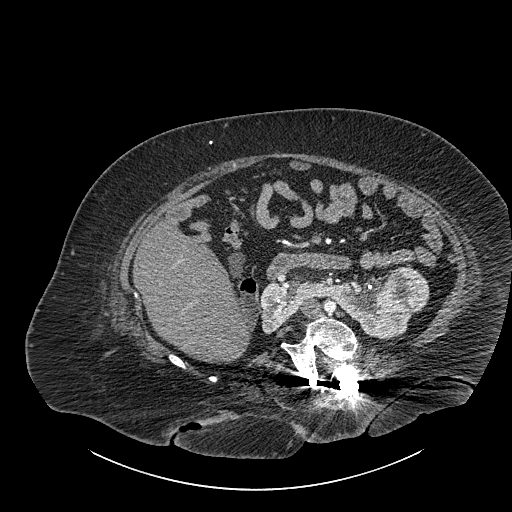
Abdominal CT with intravenous contrast, axial plane, 140 kVp, kernel I30f. Slice 515/834 from the bottom of the scan; thickness 1.00 mm; pixel size 0.977 mm.
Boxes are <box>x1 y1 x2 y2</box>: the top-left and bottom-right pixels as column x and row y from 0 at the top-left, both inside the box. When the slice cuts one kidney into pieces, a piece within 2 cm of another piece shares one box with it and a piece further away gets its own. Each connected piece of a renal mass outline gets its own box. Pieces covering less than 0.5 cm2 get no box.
Boxed on this slice (one kidney box and one renal mass box), listed by box centre from the image's left to its right: (1) Kidney crossing the body midline at <box>260 276 413 339</box> (outlined area 4,913 px, about 46.9 cm2). (2) Renal mass: <box>383 267 429 313</box> (outlined area 1,808 px, about 17.2 cm2).